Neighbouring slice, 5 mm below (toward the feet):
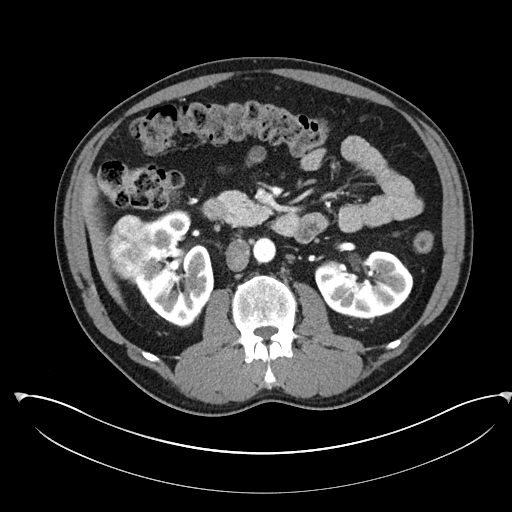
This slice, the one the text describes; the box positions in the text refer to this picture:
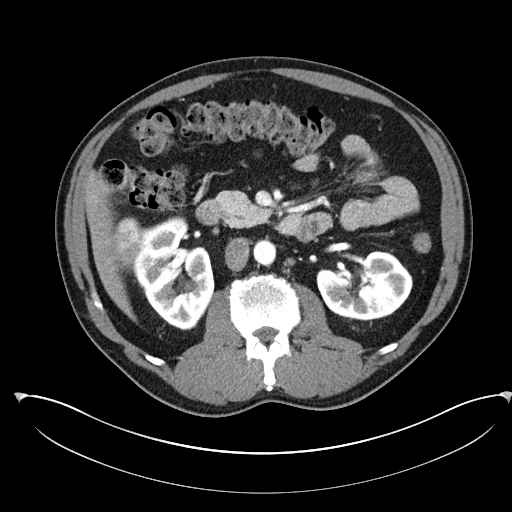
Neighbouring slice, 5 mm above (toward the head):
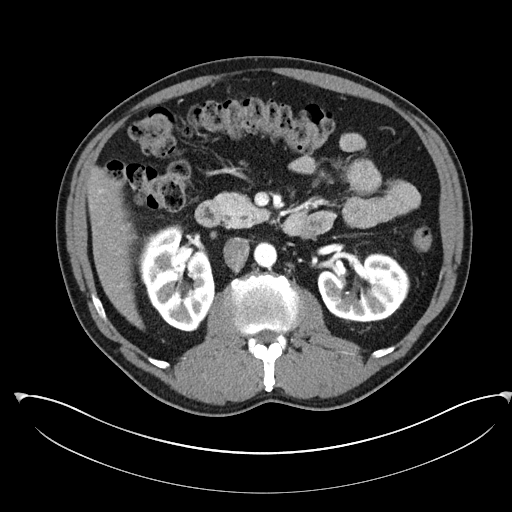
Abdominal CT with intravenous contrast, arterial phase, axial plane, 100 kVp, kernel I30f. Slice 138/302 from the bottom of the scan; thickness 5.00 mm; pixel size 0.875 mm.
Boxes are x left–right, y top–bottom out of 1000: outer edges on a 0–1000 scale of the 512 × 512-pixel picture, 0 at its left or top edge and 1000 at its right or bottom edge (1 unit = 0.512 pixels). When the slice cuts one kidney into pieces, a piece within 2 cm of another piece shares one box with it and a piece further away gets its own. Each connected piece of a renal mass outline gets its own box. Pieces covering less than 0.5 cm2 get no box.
Boxed on this slice (two kidney boxes and one renal mass box), listed by box centre from the image's left to its right: (1) Right renal mass, box x 213–285, y 424–521 out of 1000 (outlined area 1,328 px, about 10.2 cm2). (2) Right kidney, box x 258–420, y 424–646 out of 1000 (outlined area 6,275 px, about 48.0 cm2). (3) Box x 617–807, y 488–627 out of 1000: left kidney (outlined area 4,929 px, about 37.7 cm2). This slice is near the end of the right renal mass toward the head, so the slices 5 mm below and 5 mm above it are shown as well; the boxes refer to this slice only.